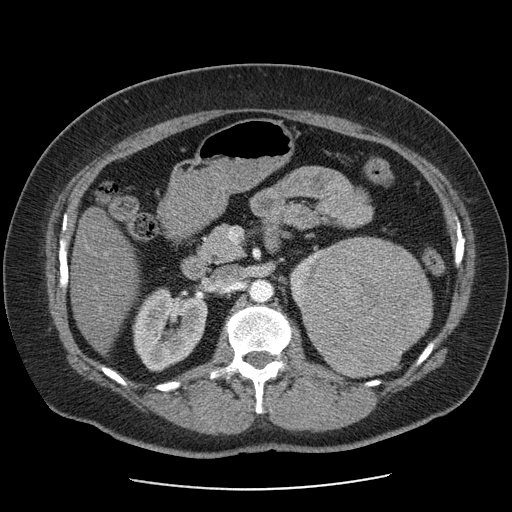
One axial slice (51 of 103, counting up from the lowest) of a contrast-enhanced abdominal CT acquired with 120 kVp, kernel STANDARD; each pixel is 0.736 mm and the slice is 2.50 mm thick.
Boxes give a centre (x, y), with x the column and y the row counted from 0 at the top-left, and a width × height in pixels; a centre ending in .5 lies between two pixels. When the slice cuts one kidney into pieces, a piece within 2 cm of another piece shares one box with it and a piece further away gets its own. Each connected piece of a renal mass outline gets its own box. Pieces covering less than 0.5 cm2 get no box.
Two kidney boxes and one renal mass box on this slice; by box centre, from the image's left to its right: (1) Right kidney, box centre (170, 328.5), 75 × 84 pixels (outlined area 4,591 px, about 24.9 cm2). (2) Box centre (305.5, 280), 34 × 63 pixels: left kidney (outlined area 957 px, about 5.2 cm2). (3) Left renal mass in a box with centre (367, 307), 133 × 143 pixels (outlined area 14,281 px, about 77.4 cm2).